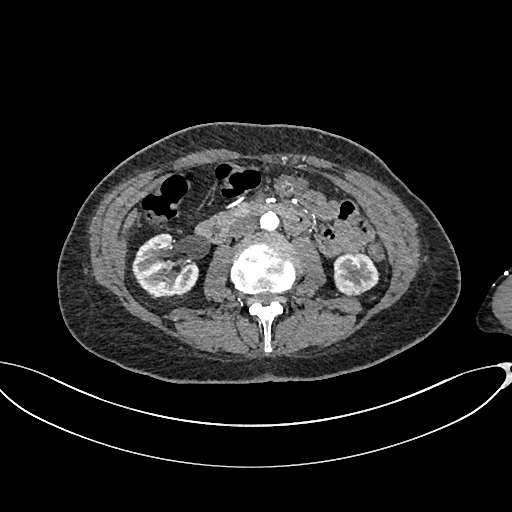
One axial slice (343 of 665, counting up from the lowest) of an arterial-phase abdominal CT acquired with 100 kVp, kernel I26f; each pixel is 0.828 mm and the slice is 1.00 mm thick.
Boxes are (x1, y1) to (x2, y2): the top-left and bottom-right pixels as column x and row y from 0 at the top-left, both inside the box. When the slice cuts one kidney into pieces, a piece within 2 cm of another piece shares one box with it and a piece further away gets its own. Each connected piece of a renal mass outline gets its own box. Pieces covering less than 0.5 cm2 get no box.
Boxed on this slice (two kidney boxes), listed by box centre from the image's left to its right: (1) Right kidney, box (132, 233) to (198, 298) (outlined area 3,109 px, about 21.3 cm2). (2) Left kidney from (333, 253) to (378, 295) (outlined area 1,559 px, about 10.7 cm2). This slice carries no renal mass outline.